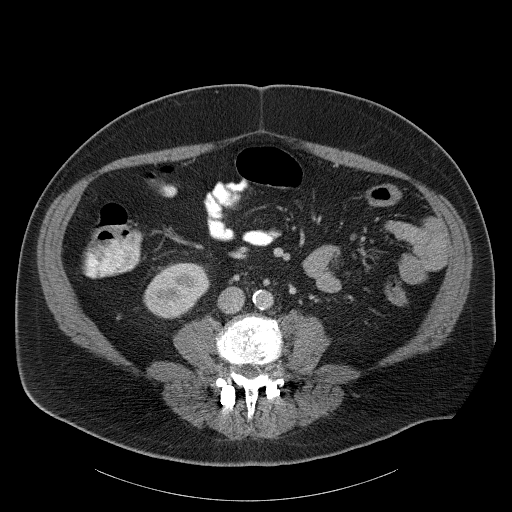
Abdominal CT with intravenous contrast, axial plane, 120 kVp, kernel B31f. Slice 53/107 from the bottom of the scan; thickness 5.00 mm; pixel size 0.941 mm.
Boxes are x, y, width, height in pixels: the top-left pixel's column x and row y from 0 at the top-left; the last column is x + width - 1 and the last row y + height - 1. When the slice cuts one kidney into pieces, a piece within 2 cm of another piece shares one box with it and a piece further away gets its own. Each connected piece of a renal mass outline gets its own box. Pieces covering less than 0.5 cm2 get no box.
Right kidney at x 143, y 262, width 67, height 58 (outlined area 2,706 px, about 24.0 cm2). This slice carries no renal mass outline.